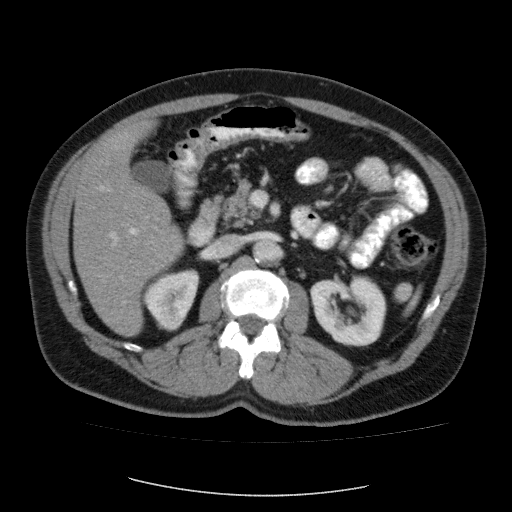
Axial slice 57 of 87 of a contrast-enhanced abdominal CT (slice 1 is the lowest), 120 kVp, kernel FC12; 5.00 mm slice thickness and 0.812 mm pixels.
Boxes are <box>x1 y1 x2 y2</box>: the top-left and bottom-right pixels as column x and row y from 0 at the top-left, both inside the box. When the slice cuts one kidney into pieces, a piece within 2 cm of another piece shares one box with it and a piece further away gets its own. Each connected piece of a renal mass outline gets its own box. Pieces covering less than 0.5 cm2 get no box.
Boxed on this slice (two kidney boxes and one renal mass box), listed by box centre from the image's left to its right: (1) Right kidney: <box>142 269 199 328</box> (outlined area 2,033 px, about 13.4 cm2). (2) Right renal mass: <box>159 306 183 331</box> (outlined area 478 px, about 3.2 cm2). (3) At <box>310 274 386 346</box>: left kidney (outlined area 4,142 px, about 27.3 cm2).